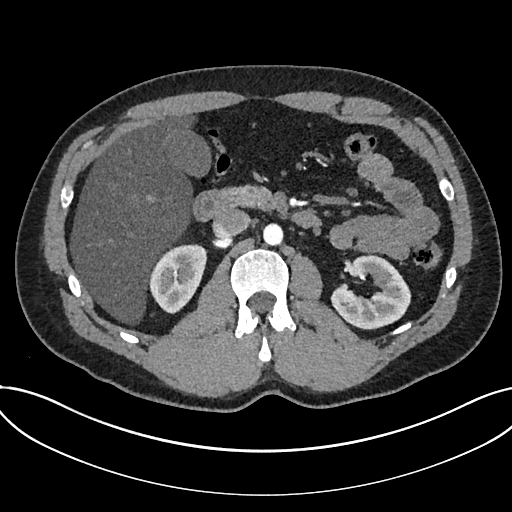
Abdominal CT with intravenous contrast, arterial phase, axial plane, 120 kVp, kernel I30f. Slice 437/735 from the bottom of the scan; thickness 1.00 mm; pixel size 0.789 mm.
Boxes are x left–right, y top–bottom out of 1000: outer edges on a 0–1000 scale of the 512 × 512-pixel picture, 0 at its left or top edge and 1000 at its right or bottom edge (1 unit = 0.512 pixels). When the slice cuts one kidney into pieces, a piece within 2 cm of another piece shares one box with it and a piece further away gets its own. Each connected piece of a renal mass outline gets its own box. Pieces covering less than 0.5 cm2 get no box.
Two boxes on this slice (two kidney boxes), listed by box centre from the image's left to its right. (1) Kidney, box x 291–406, y 477–613 out of 1000 (outlined area 2,914 px, about 18.1 cm2). (2) Kidney at x 645–803, y 496–645 out of 1000 (outlined area 3,945 px, about 24.6 cm2). No renal mass is outlined on this slice.